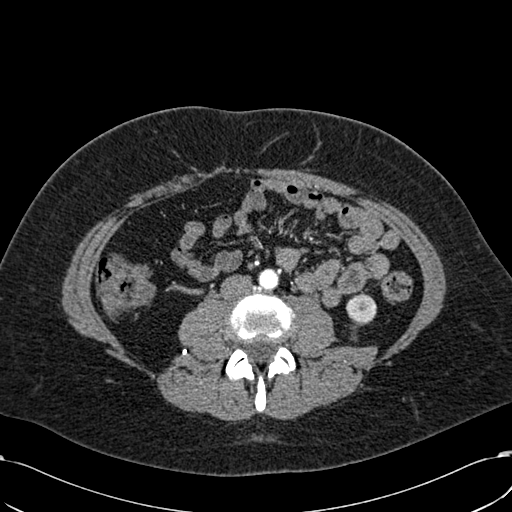
Axial slice 252 of 532 of a contrast-enhanced abdominal CT in the arterial phase (slice 1 is the lowest), 120 kVp, kernel B30f; 1.00 mm slice thickness and 0.713 mm pixels.
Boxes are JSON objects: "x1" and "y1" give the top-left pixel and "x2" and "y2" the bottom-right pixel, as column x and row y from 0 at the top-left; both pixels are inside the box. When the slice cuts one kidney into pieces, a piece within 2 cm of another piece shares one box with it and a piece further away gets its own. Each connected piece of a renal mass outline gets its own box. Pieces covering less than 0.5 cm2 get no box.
Left kidney, box {"x1": 346, "y1": 293, "x2": 376, "y2": 324} (outlined area 747 px, about 3.8 cm2).